Arterial-phase contrast-enhanced abdominal CT, axial slice 108 of 262 (counted from the lowest slice); tube voltage 120 kVp, convolution kernel STANDARD; slices 2.50 mm thick, 0.703 mm per pixel.
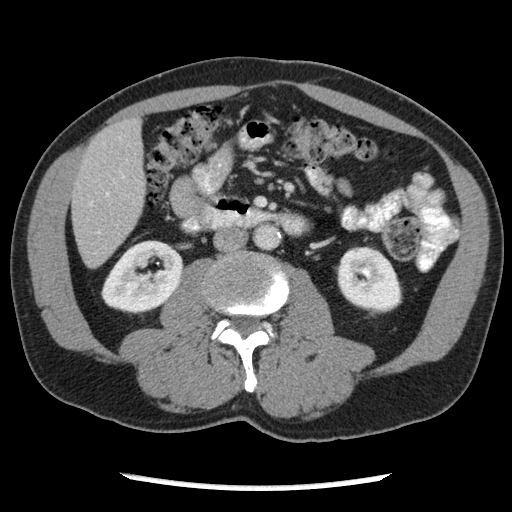
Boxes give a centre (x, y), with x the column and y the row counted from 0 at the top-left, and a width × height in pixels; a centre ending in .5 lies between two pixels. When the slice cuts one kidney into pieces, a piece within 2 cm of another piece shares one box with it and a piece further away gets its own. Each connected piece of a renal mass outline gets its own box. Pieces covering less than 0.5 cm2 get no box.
Two kidney boxes on this slice; by box centre, from the image's left to its right: (1) Right kidney in a box with centre (142, 277), 83 × 75 pixels (outlined area 4,394 px, about 21.7 cm2). (2) Box centre (369.5, 279.5), 66 × 68 pixels: left kidney (outlined area 3,388 px, about 16.7 cm2). No renal mass outline on this slice.